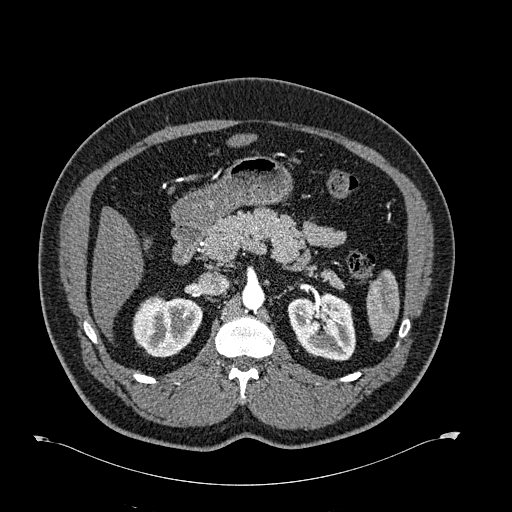
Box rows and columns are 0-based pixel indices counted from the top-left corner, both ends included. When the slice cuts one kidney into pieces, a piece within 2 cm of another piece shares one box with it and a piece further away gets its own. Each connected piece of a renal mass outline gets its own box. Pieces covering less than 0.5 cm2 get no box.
This is axial slice 417 of 723 (slice 1 is the lowest) of an arterial-phase abdominal CT with contrast; each pixel is 0.895 mm and the slice is 1.00 mm thick. Two kidney boxes on this slice; by box centre, from the image's left to its right: (1) Right kidney at rows 294–357, columns 132–202 (outlined area 3,341 px, about 26.7 cm2). (2) Box rows 292–361, columns 288–355: left kidney (outlined area 3,633 px, about 29.1 cm2). No renal mass outline on this slice.
Scan settings: 120 kVp, B30f reconstruction kernel.